Axial slice 38 of 61 of a contrast-enhanced abdominal CT (slice 1 is the lowest), 140 kVp, kernel B41f; 3.00 mm slice thickness and 0.939 mm pixels.
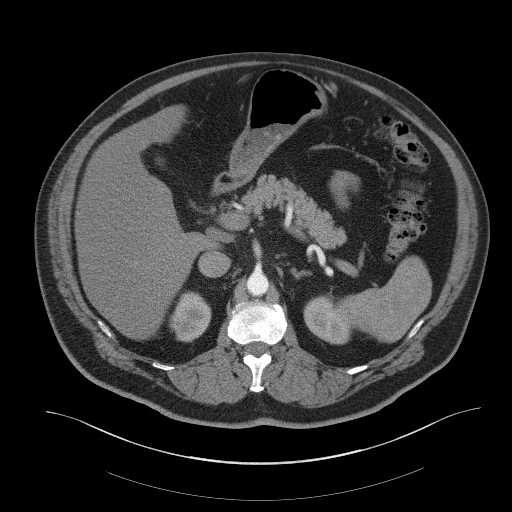
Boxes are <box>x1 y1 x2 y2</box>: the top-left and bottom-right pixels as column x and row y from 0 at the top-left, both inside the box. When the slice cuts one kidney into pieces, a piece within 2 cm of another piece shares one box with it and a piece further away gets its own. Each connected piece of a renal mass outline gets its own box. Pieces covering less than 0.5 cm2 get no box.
Two kidney boxes on this slice; by box centre, from the image's left to its right: (1) Right kidney at <box>169 291 211 342</box> (outlined area 1,586 px, about 14.0 cm2). (2) Left kidney at <box>303 293 354 344</box> (outlined area 1,774 px, about 15.7 cm2). No renal mass outline on this slice.